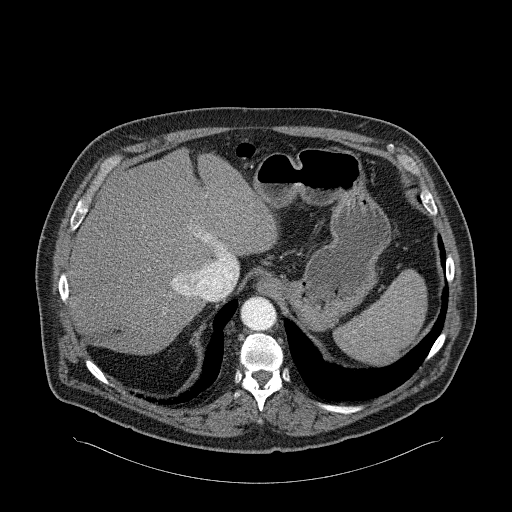
Arterial-phase contrast-enhanced abdominal CT, axial slice 228 of 326 (counted from the lowest slice); 2.00 mm thick, 0.963 mm per pixel. No kidney and no renal mass is outlined on this slice; the outlines in this scan cover only the kidneys and the renal masses, so nothing is said about any other organ.
Tube voltage 120 kVp; convolution kernel B31f.